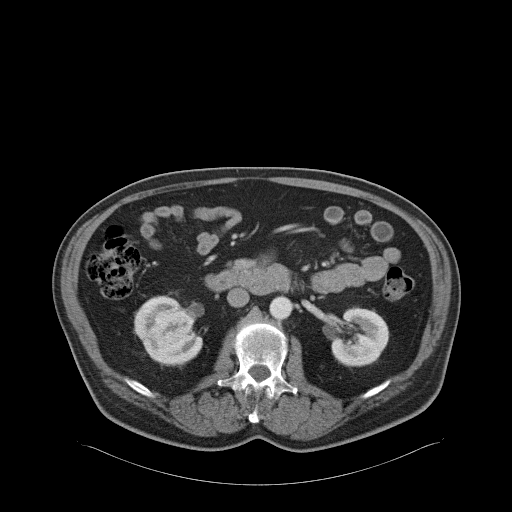
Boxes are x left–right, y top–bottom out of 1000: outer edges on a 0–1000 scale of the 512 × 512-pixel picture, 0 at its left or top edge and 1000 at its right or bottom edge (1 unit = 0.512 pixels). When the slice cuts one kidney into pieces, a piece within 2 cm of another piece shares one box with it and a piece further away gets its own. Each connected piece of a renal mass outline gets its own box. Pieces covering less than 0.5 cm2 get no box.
Arterial-phase contrast-enhanced abdominal CT, axial slice 32 of 68 (counted from the lowest slice); 5.00 mm thick, 0.961 mm per pixel. Two kidney boxes and one renal mass box on this slice; by box centre, from the image's left to its right: (1) Right kidney, box x 262–396, y 576–715 out of 1000 (outlined area 2,168 px, about 20.0 cm2). (2) Right renal mass at x 287–398, y 588–678 out of 1000 (outlined area 1,572 px, about 14.5 cm2). (3) Left kidney, box x 646–762, y 598–719 out of 1000 (outlined area 2,696 px, about 24.9 cm2).
Scan settings: 120 kVp, B31f reconstruction kernel.